Arterial-phase contrast-enhanced abdominal CT, axial slice 28 of 61 (counted from the lowest slice); tube voltage 140 kVp, convolution kernel I41f; slices 3.00 mm thick, 0.947 mm per pixel.
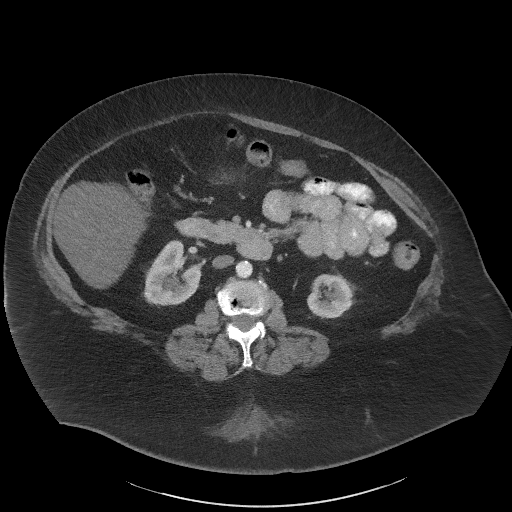
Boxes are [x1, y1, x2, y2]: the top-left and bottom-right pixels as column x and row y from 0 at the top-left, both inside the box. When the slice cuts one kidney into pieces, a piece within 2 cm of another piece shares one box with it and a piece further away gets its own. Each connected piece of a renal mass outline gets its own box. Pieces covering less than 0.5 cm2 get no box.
Boxed on this slice (two kidney boxes), listed by box centre from the image's left to its right: (1) Right kidney, box [143, 239, 201, 305] (outlined area 2,780 px, about 24.9 cm2). (2) Left kidney, box [306, 274, 353, 318] (outlined area 1,692 px, about 15.2 cm2). No renal mass outline on this slice.